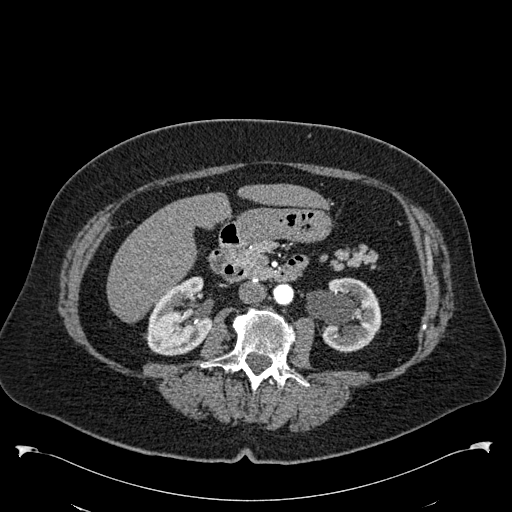
Axial slice 301 of 538 of a contrast-enhanced abdominal CT in the arterial phase (slice 1 is the lowest), 120 kVp, kernel B30f; 1.00 mm slice thickness and 0.811 mm pixels.
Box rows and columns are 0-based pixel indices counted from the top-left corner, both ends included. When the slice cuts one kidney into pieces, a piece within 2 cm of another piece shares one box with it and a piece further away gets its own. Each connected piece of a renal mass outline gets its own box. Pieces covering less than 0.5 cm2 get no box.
Boxed on this slice (two kidney boxes), listed by box centre from the image's left to its right: (1) Box rows 276–355, columns 144–212: right kidney (outlined area 3,785 px, about 24.9 cm2). (2) Box rows 277–352, columns 306–381: left kidney (outlined area 4,038 px, about 26.5 cm2). This slice carries no renal mass outline.